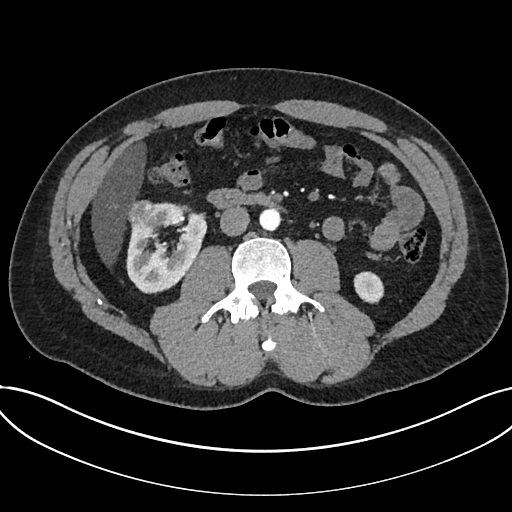
Axial slice 362 of 735 of a contrast-enhanced abdominal CT in the arterial phase (slice 1 is the lowest), 120 kVp, kernel I30f; 1.00 mm slice thickness and 0.789 mm pixels.
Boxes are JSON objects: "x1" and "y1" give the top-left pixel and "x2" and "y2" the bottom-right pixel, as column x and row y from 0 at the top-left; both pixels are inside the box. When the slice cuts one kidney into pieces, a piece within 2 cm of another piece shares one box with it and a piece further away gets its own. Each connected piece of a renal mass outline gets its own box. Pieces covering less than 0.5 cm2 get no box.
Two kidney boxes and one renal mass box on this slice; by box centre, from the image's left to its right: (1) Box {"x1": 126, "y1": 200, "x2": 159, "y2": 229}: renal mass (outlined area 788 px, about 4.9 cm2). (2) Kidney at {"x1": 126, "y1": 202, "x2": 207, "y2": 293} (outlined area 4,751 px, about 29.6 cm2). (3) Box {"x1": 353, "y1": 271, "x2": 383, "y2": 303}: kidney (outlined area 783 px, about 4.9 cm2).